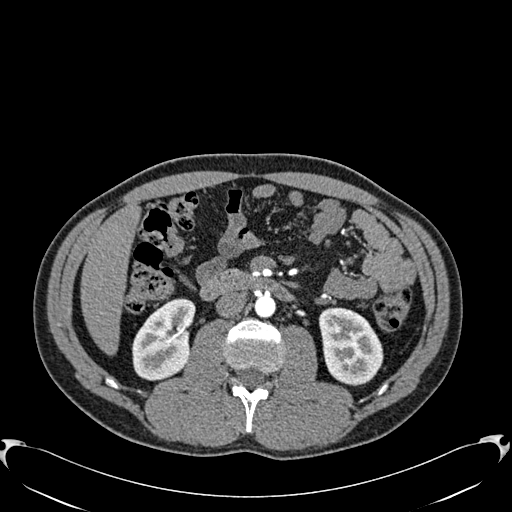
Arterial-phase contrast-enhanced abdominal CT, axial slice 321 of 512 (counted from the lowest slice); tube voltage 120 kVp, convolution kernel B30f; slices 1.00 mm thick, 0.771 mm per pixel.
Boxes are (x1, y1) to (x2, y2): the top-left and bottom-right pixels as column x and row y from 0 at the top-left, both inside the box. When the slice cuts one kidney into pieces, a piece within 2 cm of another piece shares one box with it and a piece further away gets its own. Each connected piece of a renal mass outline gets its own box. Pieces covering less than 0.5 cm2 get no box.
Two kidney boxes on this slice; by box centre, from the image's left to its right: (1) Box (132, 298) to (195, 380): right kidney (outlined area 3,808 px, about 22.7 cm2). (2) Left kidney from (318, 307) to (383, 385) (outlined area 3,865 px, about 23.0 cm2). No renal mass is outlined on this slice.